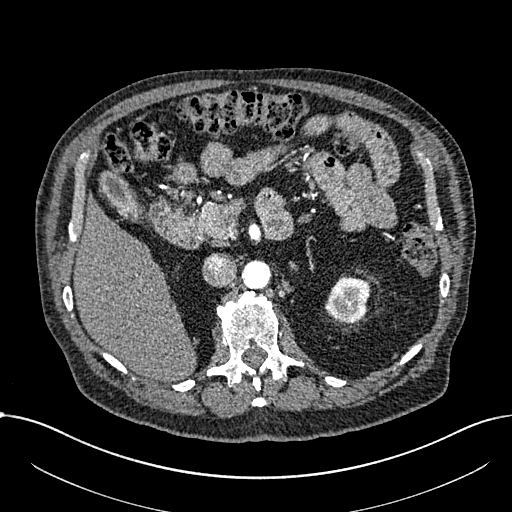
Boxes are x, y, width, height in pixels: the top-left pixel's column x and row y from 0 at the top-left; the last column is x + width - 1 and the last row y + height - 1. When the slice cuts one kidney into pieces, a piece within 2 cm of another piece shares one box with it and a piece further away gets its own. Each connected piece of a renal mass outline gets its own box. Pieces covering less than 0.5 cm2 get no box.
This is axial slice 450 of 1059 (slice 1 is the lowest) of an arterial-phase abdominal CT with contrast; each pixel is 0.811 mm and the slice is 1.00 mm thick. Box x 324, y 276, width 48, height 49: left part of the midline-crossing kidney (outlined area 1,675 px, about 11.0 cm2). This slice carries no renal mass outline.
Acquired at 100 kVp and reconstructed with the I30f kernel.